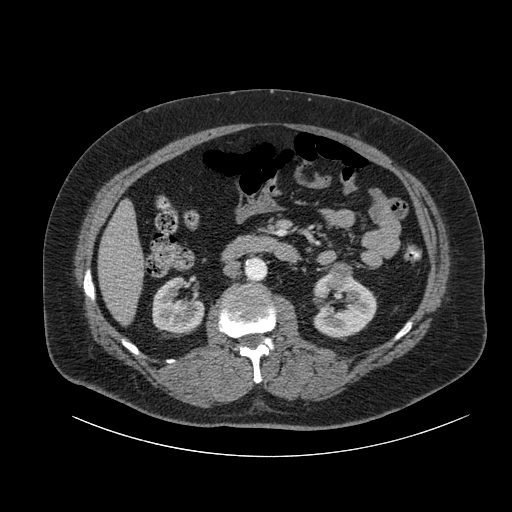
Abdominal CT with intravenous contrast, axial plane, 120 kVp, kernel B. Slice 44/105 from the bottom of the scan; thickness 3.00 mm; pixel size 0.977 mm.
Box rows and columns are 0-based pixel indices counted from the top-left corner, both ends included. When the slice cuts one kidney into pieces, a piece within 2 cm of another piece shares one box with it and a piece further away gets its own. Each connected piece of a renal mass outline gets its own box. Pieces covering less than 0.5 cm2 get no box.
Three boxes on this slice (two kidney boxes and one renal mass box), listed by box centre from the image's left to its right. (1) Box rows 276–334, columns 152–204: right kidney (outlined area 2,223 px, about 21.2 cm2). (2) Left renal mass at rows 262–292, columns 327–353 (outlined area 682 px, about 6.5 cm2). (3) Box rows 274–337, columns 312–377: left kidney (outlined area 2,782 px, about 26.5 cm2).